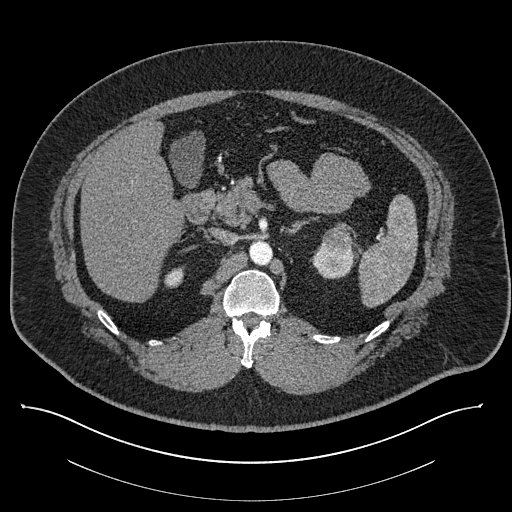
One axial slice (551 of 787, counting up from the lowest) of a contrast-enhanced abdominal CT acquired with 140 kVp, kernel I30f; each pixel is 0.910 mm and the slice is 1.00 mm thick.
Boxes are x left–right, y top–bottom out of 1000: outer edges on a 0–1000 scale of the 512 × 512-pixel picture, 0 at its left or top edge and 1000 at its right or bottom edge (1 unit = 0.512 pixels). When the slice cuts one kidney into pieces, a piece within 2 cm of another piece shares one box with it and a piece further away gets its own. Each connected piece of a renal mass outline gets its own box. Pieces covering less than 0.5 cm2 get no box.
Two kidney boxes and one renal mass box on this slice; by box centre, from the image's left to its right: (1) Box x 320–361, y 520–563 out of 1000: right kidney (outlined area 329 px, about 2.7 cm2). (2) Box x 605–693, y 475–547 out of 1000: left kidney (outlined area 1,056 px, about 8.7 cm2). (3) Box x 629–693, y 439–496 out of 1000: left renal mass (outlined area 713 px, about 5.9 cm2).